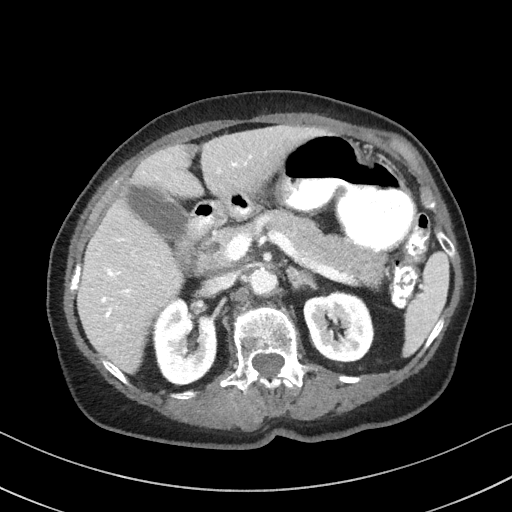
Axial slice 64 of 92 of a contrast-enhanced abdominal CT (slice 1 is the lowest), 100 kVp, kernel I41f; 3.00 mm slice thickness and 0.684 mm pixels.
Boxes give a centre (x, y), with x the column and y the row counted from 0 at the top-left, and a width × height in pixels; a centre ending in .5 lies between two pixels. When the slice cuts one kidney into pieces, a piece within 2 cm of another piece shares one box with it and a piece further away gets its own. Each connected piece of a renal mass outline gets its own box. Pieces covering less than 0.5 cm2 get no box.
Two boxes on this slice (two kidney boxes), listed by box centre from the image's left to its right. (1) Right kidney, box centre (184.5, 342), 66 × 87 pixels (outlined area 4,359 px, about 20.4 cm2). (2) Box centre (338.5, 327.5), 72 × 76 pixels: left kidney (outlined area 4,093 px, about 19.1 cm2). No renal mass is outlined on this slice.